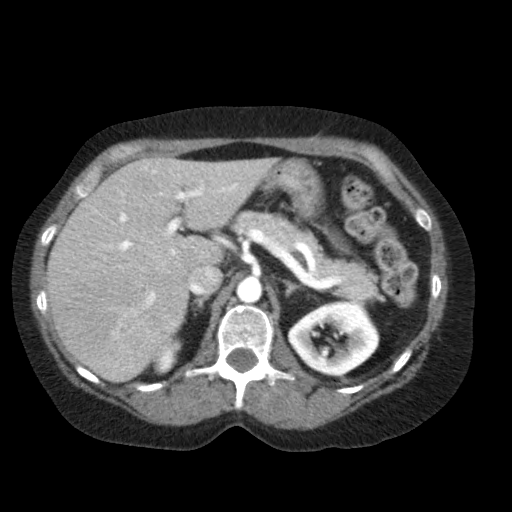
One axial slice (65 of 79, counting up from the lowest) of an arterial-phase abdominal CT acquired with 120 kVp, kernel FC11; each pixel is 0.686 mm and the slice is 5.00 mm thick.
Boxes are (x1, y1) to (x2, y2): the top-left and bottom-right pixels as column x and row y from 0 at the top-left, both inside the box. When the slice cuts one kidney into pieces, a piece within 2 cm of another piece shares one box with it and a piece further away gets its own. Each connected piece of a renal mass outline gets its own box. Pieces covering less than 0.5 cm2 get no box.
Boxed on this slice (two kidney boxes), listed by box centre from the image's left to its right: (1) Right kidney, box (153, 338) to (182, 375) (outlined area 617 px, about 2.9 cm2). (2) Left kidney from (287, 299) to (379, 378) (outlined area 4,897 px, about 23.0 cm2). No renal mass outline on this slice.